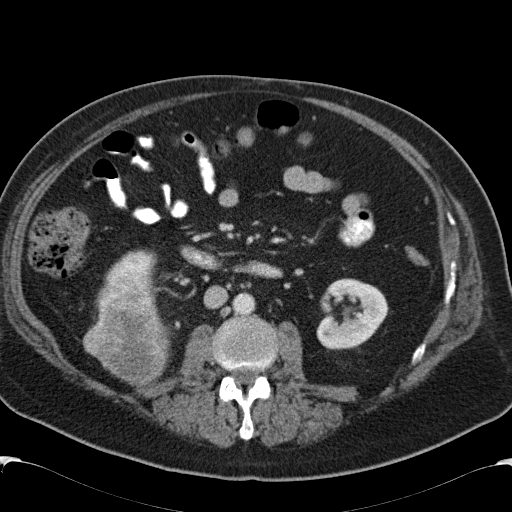
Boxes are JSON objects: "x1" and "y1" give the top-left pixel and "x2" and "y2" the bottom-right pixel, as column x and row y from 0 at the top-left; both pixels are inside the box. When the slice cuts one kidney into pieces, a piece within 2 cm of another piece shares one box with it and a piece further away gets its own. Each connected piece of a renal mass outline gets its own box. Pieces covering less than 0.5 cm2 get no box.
This is axial slice 65 of 99 (slice 1 is the lowest) of an abdominal CT with contrast; each pixel is 0.742 mm and the slice is 5.00 mm thick. Two kidney boxes and one renal mass box on this slice; by box centre, from the image's left to its right: (1) Right renal mass at {"x1": 82, "y1": 280, "x2": 171, "y2": 387} (outlined area 6,561 px, about 36.1 cm2). (2) Right kidney at {"x1": 101, "y1": 249, "x2": 157, "y2": 299} (outlined area 1,487 px, about 8.2 cm2). (3) Box {"x1": 316, "y1": 278, "x2": 388, "y2": 349}: left kidney (outlined area 3,715 px, about 20.5 cm2).
Tube voltage 120 kVp; convolution kernel B31f.